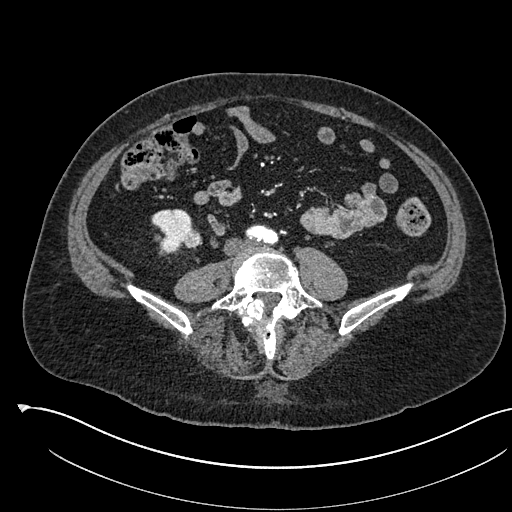
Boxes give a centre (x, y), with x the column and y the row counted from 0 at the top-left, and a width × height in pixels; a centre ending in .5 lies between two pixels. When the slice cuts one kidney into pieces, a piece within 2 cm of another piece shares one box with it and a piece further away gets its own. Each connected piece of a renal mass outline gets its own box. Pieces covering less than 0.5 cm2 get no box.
Slice 192/541 of a contrast-enhanced abdominal CT in the arterial phase, counting up from the lowest; pixel size 0.834 mm, slice thickness 1.00 mm. Two boxes on this slice (one kidney box and one renal mass box), listed by box centre from the image's left to its right. (1) Right kidney, box centre (172, 232), 43 × 47 pixels (outlined area 1,302 px, about 9.1 cm2). (2) Box centre (192.5, 238.5), 20 × 20 pixels: right renal mass (outlined area 305 px, about 2.1 cm2).
Scan settings: 120 kVp, I30f reconstruction kernel.